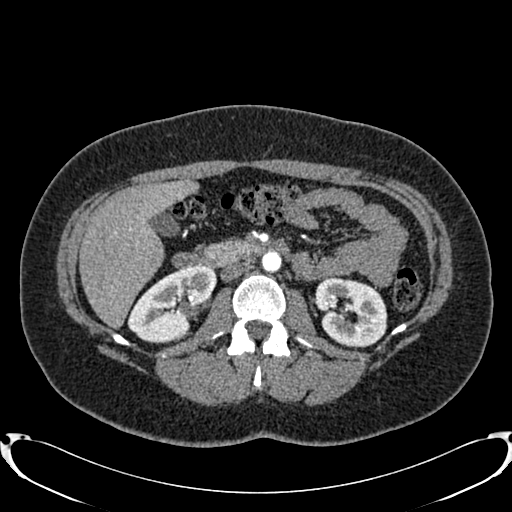
Arterial-phase contrast-enhanced abdominal CT, axial slice 452 of 719 (counted from the lowest slice); tube voltage 120 kVp, convolution kernel B20f; slices 1.00 mm thick, 0.766 mm per pixel.
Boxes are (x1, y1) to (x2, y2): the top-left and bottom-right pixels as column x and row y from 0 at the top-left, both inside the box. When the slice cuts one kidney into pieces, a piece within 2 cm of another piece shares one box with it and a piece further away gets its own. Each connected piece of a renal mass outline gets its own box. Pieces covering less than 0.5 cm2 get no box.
Boxed on this slice (two kidney boxes), listed by box centre from the image's left to its right: (1) Box (127, 265) to (216, 343): right kidney (outlined area 4,546 px, about 26.6 cm2). (2) Left kidney, box (314, 276) to (387, 347) (outlined area 3,911 px, about 22.9 cm2). This slice carries no renal mass outline.